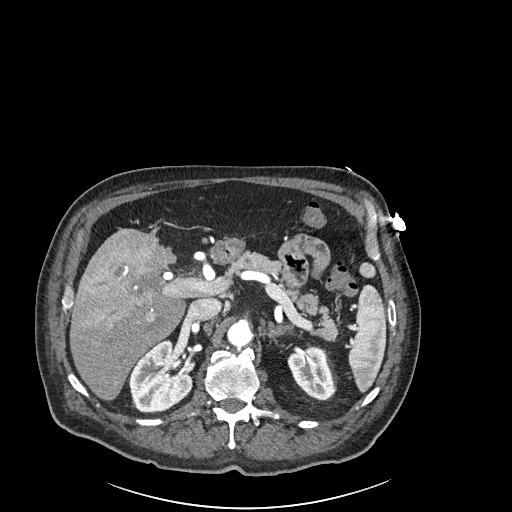
Abdominal CT with intravenous contrast, arterial phase, axial plane, 120 kVp, kernel I30f. Slice 149/261 from the bottom of the scan; thickness 2.00 mm; pixel size 0.939 mm.
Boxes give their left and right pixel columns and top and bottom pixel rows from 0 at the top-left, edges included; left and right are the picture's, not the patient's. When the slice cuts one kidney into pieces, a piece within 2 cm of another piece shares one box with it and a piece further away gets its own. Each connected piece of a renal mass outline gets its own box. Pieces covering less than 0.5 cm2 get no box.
Two boxes on this slice (two kidney boxes), listed by box centre from the image's left to its right. (1) Box with left 128, top 340, right 193, bottom 413: right kidney (outlined area 3,425 px, about 30.2 cm2). (2) Left kidney in the box with left 287, top 347, right 335, bottom 400 (outlined area 1,751 px, about 15.5 cm2). No renal mass outline on this slice.